Axial slice 19 of 32 of a contrast-enhanced abdominal CT in the arterial phase (slice 1 is the lowest), 100 kVp, kernel I40f; 5.00 mm slice thickness and 0.779 mm pixels.
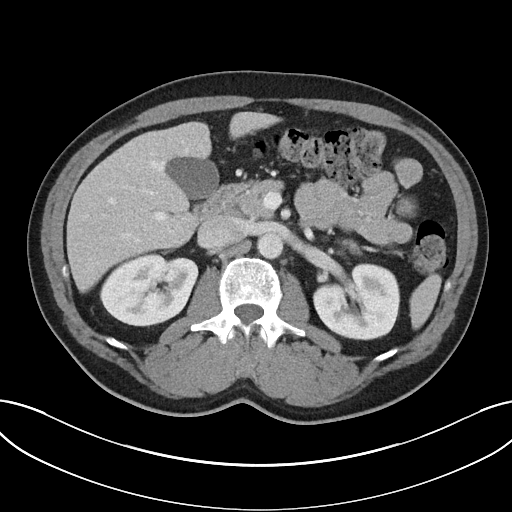
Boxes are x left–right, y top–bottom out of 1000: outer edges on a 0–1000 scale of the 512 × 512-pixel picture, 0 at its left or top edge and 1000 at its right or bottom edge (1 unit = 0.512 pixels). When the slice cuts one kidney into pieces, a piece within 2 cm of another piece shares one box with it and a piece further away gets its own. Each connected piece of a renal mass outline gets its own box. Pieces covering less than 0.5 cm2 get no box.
Two boxes on this slice (two kidney boxes), listed by box centre from the image's left to its right. (1) Box x 193–389, y 494–639 out of 1000: right kidney (outlined area 5,470 px, about 33.2 cm2). (2) Box x 611–783, y 512–666 out of 1000: left kidney (outlined area 5,227 px, about 31.7 cm2). No renal mass is outlined on this slice.